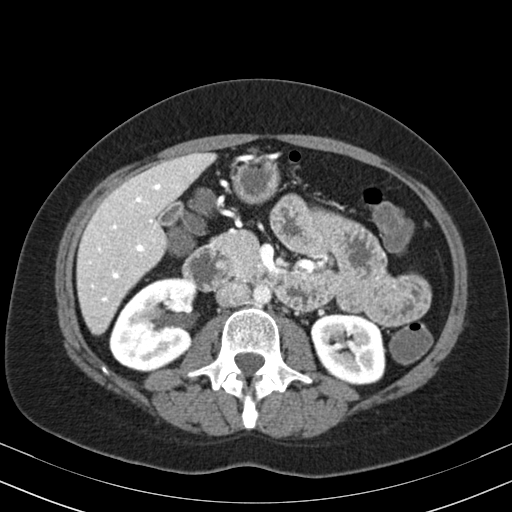
One axial slice (107 of 164, counting up from the lowest) of an arterial-phase abdominal CT acquired with 130 kVp, kernel B30s; each pixel is 0.664 mm and the slice is 3.00 mm thick.
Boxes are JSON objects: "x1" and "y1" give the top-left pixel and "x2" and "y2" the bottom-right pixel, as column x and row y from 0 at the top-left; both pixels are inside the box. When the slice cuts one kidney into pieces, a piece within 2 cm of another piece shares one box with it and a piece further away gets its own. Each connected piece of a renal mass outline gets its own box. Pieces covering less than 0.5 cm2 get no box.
Two boxes on this slice (two kidney boxes), listed by box centre from the image's left to its right. (1) Box {"x1": 109, "y1": 277, "x2": 196, "y2": 372}: right kidney (outlined area 6,141 px, about 27.1 cm2). (2) Box {"x1": 310, "y1": 313, "x2": 385, "y2": 384}: left kidney (outlined area 4,311 px, about 19.0 cm2). No renal mass is outlined on this slice.